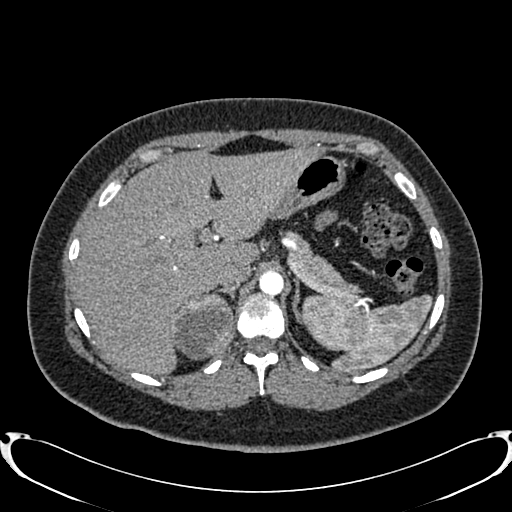
One axial slice (604 of 719, counting up from the lowest) of an arterial-phase abdominal CT acquired with 120 kVp, kernel B20f; each pixel is 0.766 mm and the slice is 1.00 mm thick.
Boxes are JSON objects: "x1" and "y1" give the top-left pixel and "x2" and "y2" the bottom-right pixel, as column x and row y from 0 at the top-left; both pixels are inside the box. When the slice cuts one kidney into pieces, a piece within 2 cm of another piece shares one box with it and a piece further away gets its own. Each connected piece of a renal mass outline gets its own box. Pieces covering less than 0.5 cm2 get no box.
Right renal mass, box {"x1": 171, "y1": 293, "x2": 233, "y2": 360} (outlined area 3,241 px, about 19.0 cm2); no kidney outline appears on this slice, but the same outlined renal mass comes within 1 cm of the kidney on another slice.